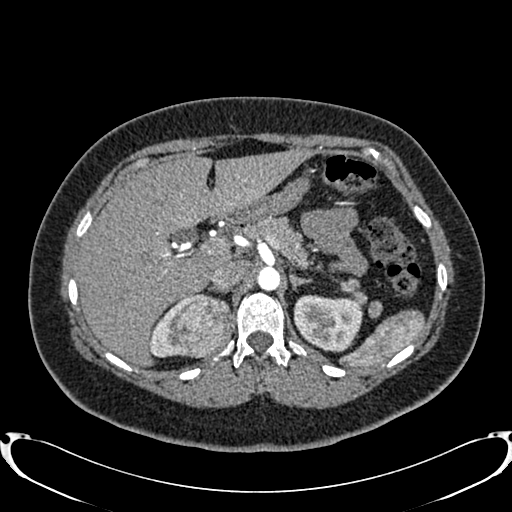
Abdominal CT with intravenous contrast, arterial phase, axial plane, 120 kVp, kernel B20f. Slice 569/719 from the bottom of the scan; thickness 1.00 mm; pixel size 0.766 mm.
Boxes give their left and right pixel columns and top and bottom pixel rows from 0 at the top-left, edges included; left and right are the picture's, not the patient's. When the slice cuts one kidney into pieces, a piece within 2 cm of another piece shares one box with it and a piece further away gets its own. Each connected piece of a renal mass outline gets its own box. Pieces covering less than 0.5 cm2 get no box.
Two kidney boxes and one renal mass box on this slice; by box centre, from the image's left to its right: (1) Right kidney in the box with left 147, top 295, right 193, bottom 357 (outlined area 892 px, about 5.2 cm2). (2) Box with left 166, top 293, right 232, bottom 358: right renal mass (outlined area 3,229 px, about 18.9 cm2). (3) Left kidney, the box with left 293, top 294, right 363, bottom 350 (outlined area 3,168 px, about 18.6 cm2).